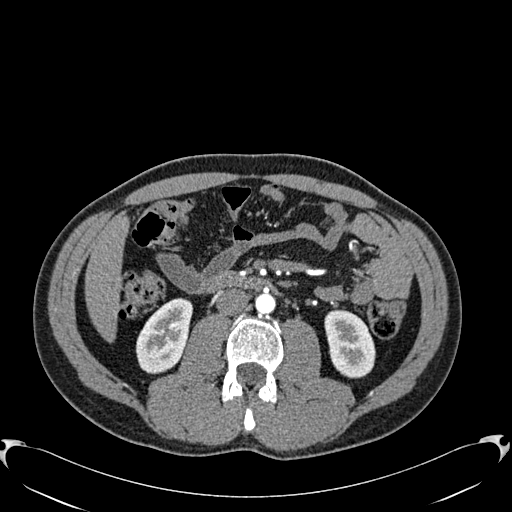
One axial slice (302 of 512, counting up from the lowest) of an arterial-phase abdominal CT acquired with 120 kVp, kernel B30f; each pixel is 0.771 mm and the slice is 1.00 mm thick.
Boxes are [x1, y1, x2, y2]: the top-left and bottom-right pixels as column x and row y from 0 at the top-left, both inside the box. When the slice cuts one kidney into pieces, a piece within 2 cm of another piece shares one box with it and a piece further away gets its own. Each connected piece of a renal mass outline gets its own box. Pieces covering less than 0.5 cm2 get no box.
Two boxes on this slice (two kidney boxes), listed by box centre from the image's left to its right. (1) Right kidney, box [135, 298, 192, 374] (outlined area 3,035 px, about 18.1 cm2). (2) Left kidney, box [324, 309, 375, 378] (outlined area 2,725 px, about 16.2 cm2). No renal mass is outlined on this slice.